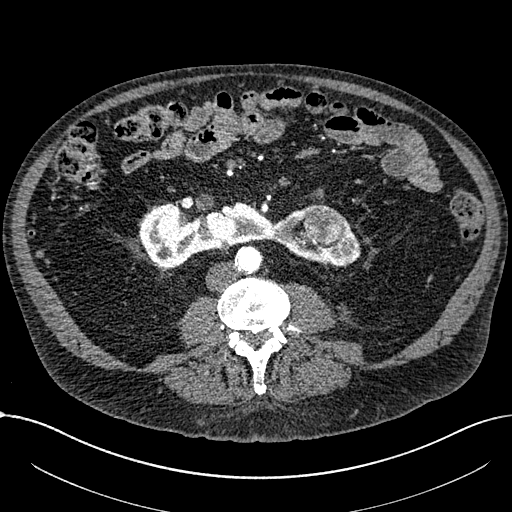
Arterial-phase contrast-enhanced abdominal CT, axial slice 298 of 1059 (counted from the lowest slice); tube voltage 100 kVp, convolution kernel I30f; slices 1.00 mm thick, 0.811 mm per pixel.
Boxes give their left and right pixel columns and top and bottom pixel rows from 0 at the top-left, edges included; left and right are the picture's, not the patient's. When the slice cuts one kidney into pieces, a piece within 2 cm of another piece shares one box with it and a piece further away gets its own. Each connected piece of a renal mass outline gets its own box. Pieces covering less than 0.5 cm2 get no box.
Two boxes on this slice (one kidney box and one renal mass box), listed by box centre from the image's left to its right. (1) Kidney crossing the body midline, the box with left 139, top 201, right 360, bottom 268 (outlined area 8,297 px, about 54.5 cm2). (2) Renal mass, the box with left 300, top 203, right 346, bottom 246 (outlined area 1,575 px, about 10.3 cm2).